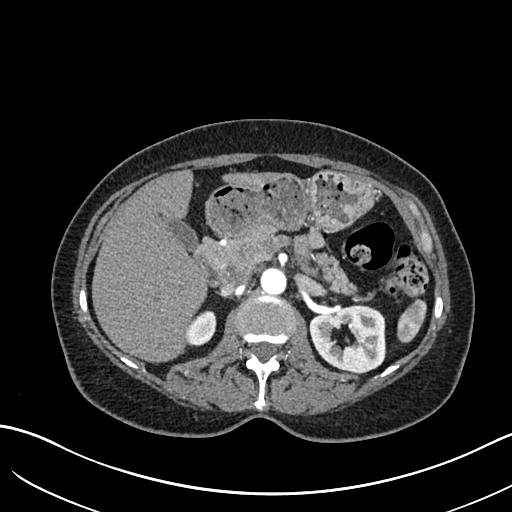
Axial slice 416 of 683 of a contrast-enhanced abdominal CT in the arterial phase (slice 1 is the lowest), 120 kVp, kernel I30f; 1.00 mm slice thickness and 0.738 mm pixels.
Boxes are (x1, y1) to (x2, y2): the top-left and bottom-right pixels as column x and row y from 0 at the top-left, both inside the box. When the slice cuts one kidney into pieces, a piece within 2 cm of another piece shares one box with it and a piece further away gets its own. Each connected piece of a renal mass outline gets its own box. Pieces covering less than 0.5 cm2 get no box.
Two kidney boxes on this slice; by box centre, from the image's left to its right: (1) Right kidney from (188, 310) to (216, 346) (outlined area 797 px, about 4.3 cm2). (2) Left kidney, box (309, 304) to (386, 374) (outlined area 3,957 px, about 21.6 cm2). No renal mass outline on this slice.